Axial slice 53 of 97 of a contrast-enhanced abdominal CT in the arterial phase (slice 1 is the lowest), 100 kVp, kernel I40f; 3.00 mm slice thickness and 0.797 mm pixels.
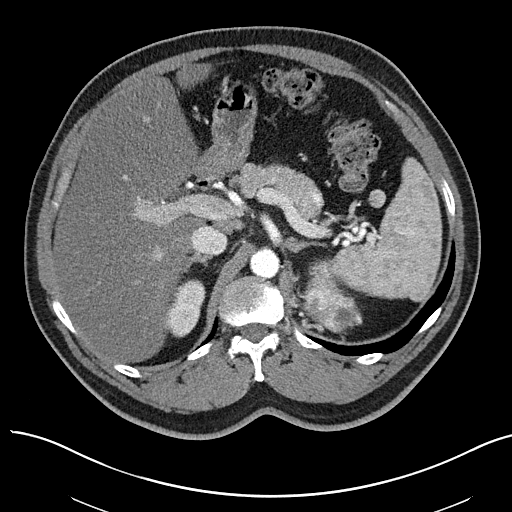
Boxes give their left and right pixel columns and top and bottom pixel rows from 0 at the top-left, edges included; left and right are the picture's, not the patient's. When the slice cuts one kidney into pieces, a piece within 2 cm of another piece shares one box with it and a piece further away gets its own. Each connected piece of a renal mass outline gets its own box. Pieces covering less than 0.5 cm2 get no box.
Two boxes on this slice (one kidney box and one renal mass box), listed by box centre from the image's left to its right. (1) Box with left 166, top 279, right 205, bottom 337: right kidney (outlined area 1,577 px, about 10.0 cm2). (2) Box with left 297, top 259, right 362, bottom 333: left renal mass (outlined area 2,803 px, about 17.8 cm2); here it is more than 1 cm from any kidney outline, though on another slice the same outlined renal mass lies within 1 cm of the kidney.